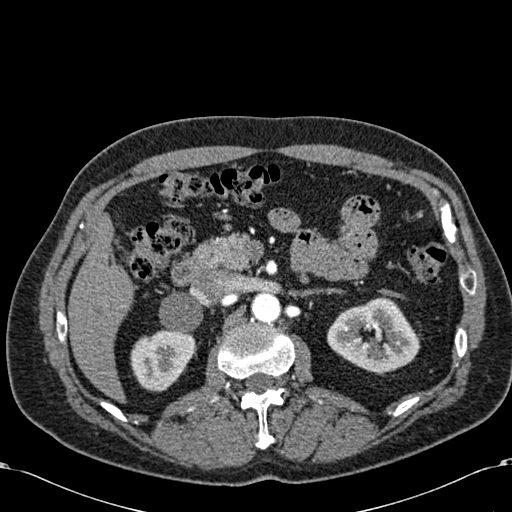
Abdominal CT with intravenous contrast, arterial phase, axial plane, 120 kVp, kernel B30f. Slice 392/581 from the bottom of the scan; thickness 1.00 mm; pixel size 0.713 mm.
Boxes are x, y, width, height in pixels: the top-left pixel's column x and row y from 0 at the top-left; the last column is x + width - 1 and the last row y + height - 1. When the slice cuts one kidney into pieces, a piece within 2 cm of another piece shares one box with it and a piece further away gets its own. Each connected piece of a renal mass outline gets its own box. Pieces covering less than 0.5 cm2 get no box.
Boxed on this slice (two kidney boxes), listed by box centre from the image's left to its right: (1) Box x 130, y 329, width 66, height 63: right kidney (outlined area 3,057 px, about 15.5 cm2). (2) Left kidney, box x 327, y 295, width 94, height 78 (outlined area 4,927 px, about 25.0 cm2). No renal mass outline on this slice.